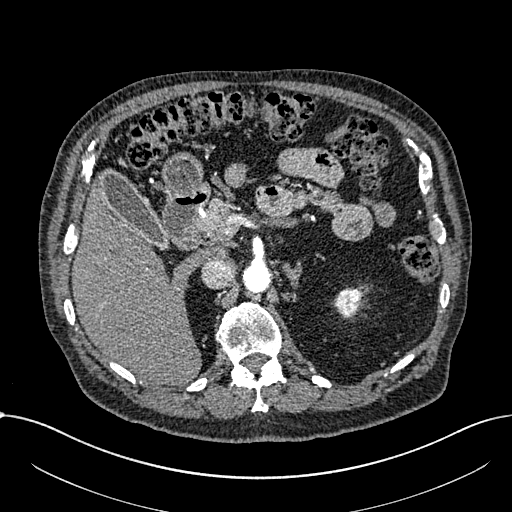
One axial slice (467 of 1059, counting up from the lowest) of an arterial-phase abdominal CT acquired with 100 kVp, kernel I30f; each pixel is 0.811 mm and the slice is 1.00 mm thick.
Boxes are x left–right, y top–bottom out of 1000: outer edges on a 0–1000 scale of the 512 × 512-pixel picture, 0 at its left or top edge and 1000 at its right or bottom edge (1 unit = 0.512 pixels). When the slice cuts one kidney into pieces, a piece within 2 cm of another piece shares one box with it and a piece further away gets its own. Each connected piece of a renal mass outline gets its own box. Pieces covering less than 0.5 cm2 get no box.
Left part of the midline-crossing kidney at x 650–707, y 561–623 out of 1000 (outlined area 647 px, about 4.3 cm2). No renal mass is outlined on this slice.